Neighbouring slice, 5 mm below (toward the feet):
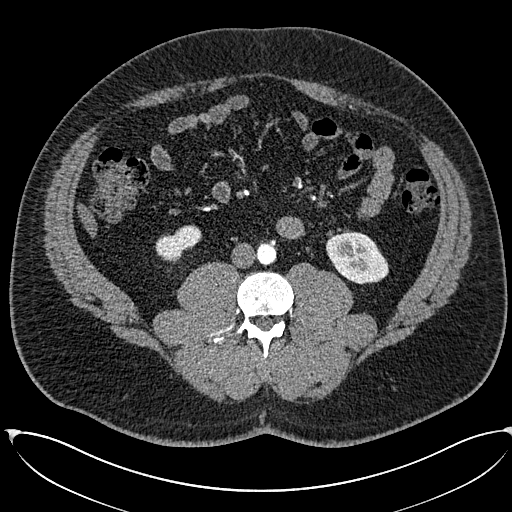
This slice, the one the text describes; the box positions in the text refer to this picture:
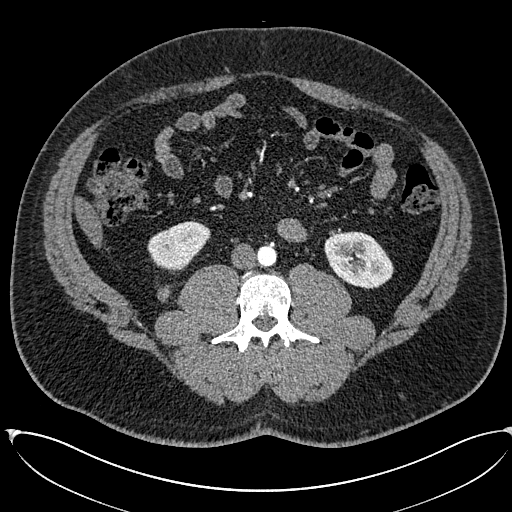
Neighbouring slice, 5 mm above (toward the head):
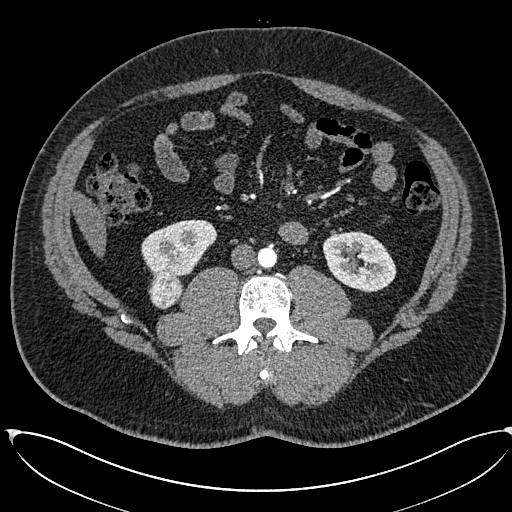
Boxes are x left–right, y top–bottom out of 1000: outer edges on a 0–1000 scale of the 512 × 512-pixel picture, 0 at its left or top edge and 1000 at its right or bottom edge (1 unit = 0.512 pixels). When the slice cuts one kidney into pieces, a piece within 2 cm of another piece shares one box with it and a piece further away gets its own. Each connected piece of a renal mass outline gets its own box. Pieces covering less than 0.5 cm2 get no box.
Arterial-phase contrast-enhanced abdominal CT, axial slice 260 of 673 (counted from the lowest slice); 1.00 mm thick, 0.855 mm per pixel. Boxed on this slice (two kidney boxes and one renal mass box), listed by box centre from the image's left to its right: (1) Right renal mass, box x 307–334, y 559–588 out of 1000 (outlined area 150 px, about 1.1 cm2); here it is more than 1 cm from any kidney outline, though on another slice the same outlined renal mass lies within 1 cm of the kidney. (2) Right kidney at x 287–412, y 430–529 out of 1000 (outlined area 2,198 px, about 16.1 cm2). (3) Box x 633–770, y 451–566 out of 1000: left kidney (outlined area 2,959 px, about 21.7 cm2). This slice lies near the end of the right renal mass toward the feet; the slices 5 mm below and 5 mm above it are shown too, and the boxes mark positions on this slice only.
Scan settings: 120 kVp, I30f reconstruction kernel.